Contrast-enhanced abdominal CT, axial slice 75 of 103 (counted from the lowest slice); tube voltage 120 kVp, convolution kernel B31f; slices 5.00 mm thick, 0.801 mm per pixel.
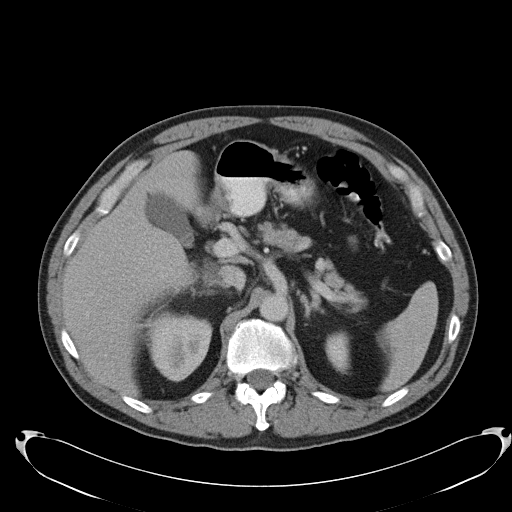
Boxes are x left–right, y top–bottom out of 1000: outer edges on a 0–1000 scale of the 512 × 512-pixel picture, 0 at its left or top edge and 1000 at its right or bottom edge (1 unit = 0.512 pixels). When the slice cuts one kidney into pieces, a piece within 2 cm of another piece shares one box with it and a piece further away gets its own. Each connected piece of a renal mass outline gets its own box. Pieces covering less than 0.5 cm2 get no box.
Boxed on this slice (two kidney boxes), listed by box centre from the image's left to its right: (1) Right kidney at x 281–416, y 602–746 out of 1000 (outlined area 3,712 px, about 23.8 cm2). (2) Left kidney, box x 635–684, y 646–730 out of 1000 (outlined area 837 px, about 5.4 cm2). No renal mass outline on this slice.